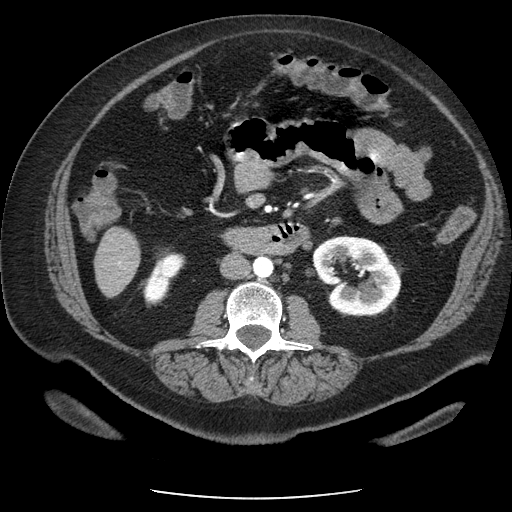
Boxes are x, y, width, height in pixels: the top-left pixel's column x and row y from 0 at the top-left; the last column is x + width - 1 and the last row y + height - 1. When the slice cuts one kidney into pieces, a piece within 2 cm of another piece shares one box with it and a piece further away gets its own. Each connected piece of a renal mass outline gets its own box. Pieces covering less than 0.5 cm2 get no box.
This is axial slice 111 of 186 (slice 1 is the lowest) of an arterial-phase abdominal CT with contrast; each pixel is 0.742 mm and the slice is 2.50 mm thick. Boxed on this slice (two kidney boxes), listed by box centre from the image's left to its right: (1) Right kidney, box x 143, y 251, width 43, height 57 (outlined area 1,335 px, about 7.4 cm2). (2) Box x 312, y 235, width 90, height 82: left kidney (outlined area 5,189 px, about 28.6 cm2). No renal mass outline on this slice.
Acquired at 120 kVp and reconstructed with the STANDARD kernel.